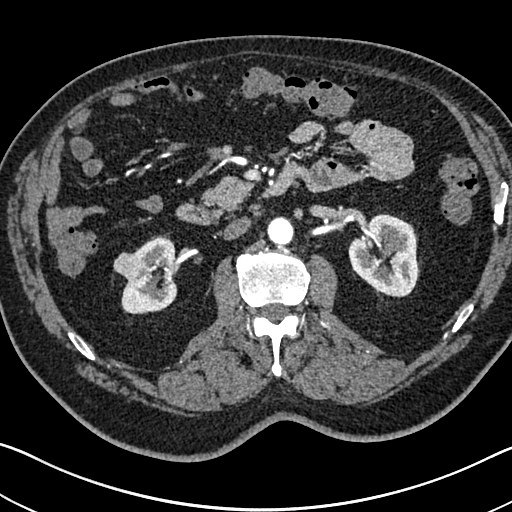
Axial slice 412 of 705 of a contrast-enhanced abdominal CT in the arterial phase (slice 1 is the lowest), 120 kVp, kernel I30f; 1.00 mm slice thickness and 0.703 mm pixels.
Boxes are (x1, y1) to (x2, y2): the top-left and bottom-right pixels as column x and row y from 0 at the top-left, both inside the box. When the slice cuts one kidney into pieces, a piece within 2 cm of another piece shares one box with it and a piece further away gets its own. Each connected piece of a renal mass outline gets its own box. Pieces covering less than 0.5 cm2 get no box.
Two kidney boxes and one renal mass box on this slice; by box centre, from the image's left to its right: (1) Right renal mass from (113, 252) to (144, 279) (outlined area 636 px, about 3.1 cm2). (2) Right kidney, box (121, 235) to (177, 314) (outlined area 3,024 px, about 15.0 cm2). (3) Box (348, 214) to (420, 297): left kidney (outlined area 4,414 px, about 21.8 cm2).